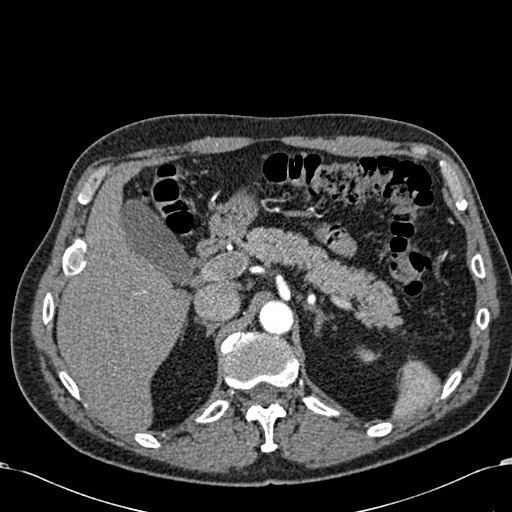
One axial slice (454 of 581, counting up from the lowest) of an arterial-phase abdominal CT acquired with 120 kVp, kernel B30f; each pixel is 0.713 mm and the slice is 1.00 mm thick.
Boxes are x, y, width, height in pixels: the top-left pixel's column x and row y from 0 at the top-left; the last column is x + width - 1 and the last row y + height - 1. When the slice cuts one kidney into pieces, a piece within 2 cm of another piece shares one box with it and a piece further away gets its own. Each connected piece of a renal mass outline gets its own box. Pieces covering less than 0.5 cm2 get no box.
Left kidney at x 355, y 346, width 18, height 18 (outlined area 201 px, about 1.0 cm2). No renal mass is outlined on this slice.